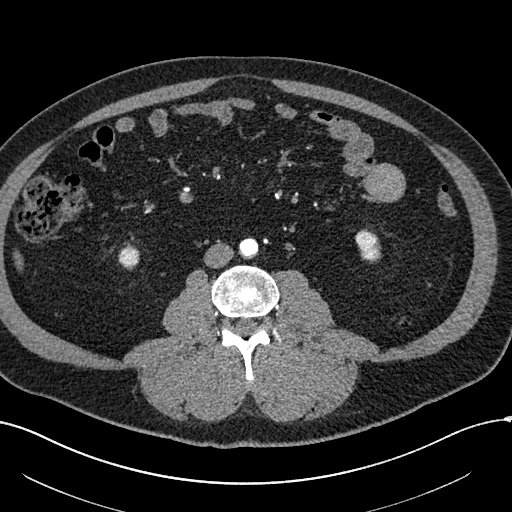
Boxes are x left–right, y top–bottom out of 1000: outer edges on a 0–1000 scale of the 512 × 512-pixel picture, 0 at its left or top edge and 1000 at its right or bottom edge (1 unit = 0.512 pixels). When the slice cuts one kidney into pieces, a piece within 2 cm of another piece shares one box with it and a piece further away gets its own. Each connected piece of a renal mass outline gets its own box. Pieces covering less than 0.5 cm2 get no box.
This is axial slice 210 of 602 (slice 1 is the lowest) of an arterial-phase abdominal CT with contrast; each pixel is 0.799 mm and the slice is 1.00 mm thick. Two kidney boxes on this slice; by box centre, from the image's left to its right: (1) Right kidney, box x 230–273, y 473–529 out of 1000 (outlined area 435 px, about 2.8 cm2). (2) Left kidney, box x 693–746, y 447–516 out of 1000 (outlined area 655 px, about 4.2 cm2). No renal mass outline on this slice.
Acquired at 120 kVp and reconstructed with the I30f kernel.